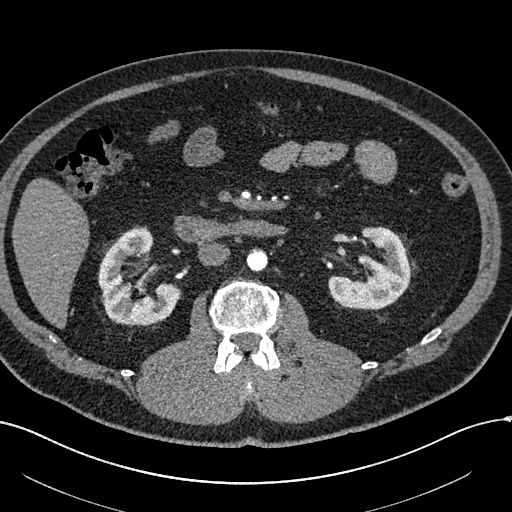
Abdominal CT with intravenous contrast, arterial phase, axial plane, 120 kVp, kernel I30f. Slice 322/602 from the bottom of the scan; thickness 1.00 mm; pixel size 0.799 mm.
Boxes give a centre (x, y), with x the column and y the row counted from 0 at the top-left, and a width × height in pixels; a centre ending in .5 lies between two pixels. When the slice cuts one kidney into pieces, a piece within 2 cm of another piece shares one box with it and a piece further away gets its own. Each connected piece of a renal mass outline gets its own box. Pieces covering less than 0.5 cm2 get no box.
Boxed on this slice (two kidney boxes), listed by box centre from the image's left to its right: (1) Box centre (139, 276), 83 × 99 pixels: right kidney (outlined area 5,012 px, about 32.0 cm2). (2) Box centre (368.5, 267.5), 84 × 84 pixels: left kidney (outlined area 4,372 px, about 27.9 cm2).